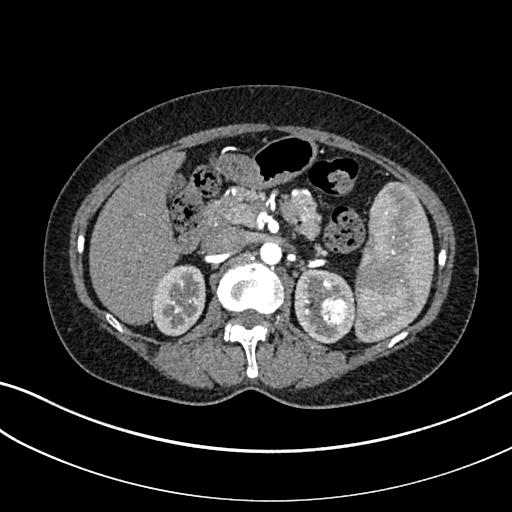
Abdominal CT with intravenous contrast, arterial phase, axial plane, 100 kVp, kernel I30f. Slice 201/325 from the bottom of the scan; thickness 1.00 mm; pixel size 0.703 mm.
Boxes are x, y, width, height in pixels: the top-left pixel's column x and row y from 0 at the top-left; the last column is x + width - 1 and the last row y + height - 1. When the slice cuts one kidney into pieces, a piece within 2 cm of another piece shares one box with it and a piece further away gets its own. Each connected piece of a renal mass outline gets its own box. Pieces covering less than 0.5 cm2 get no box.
Two kidney boxes and one renal mass box on this slice; by box centre, from the image's left to its right: (1) Right kidney at x 151, y 264, width 55, height 73 (outlined area 3,049 px, about 15.1 cm2). (2) Box x 294, y 268, width 62, height 76: left kidney (outlined area 2,822 px, about 14.0 cm2). (3) Left renal mass, box x 319, y 295, width 32, height 35 (outlined area 843 px, about 4.2 cm2).